One axial slice (278 of 512, counting up from the lowest) of an arterial-phase abdominal CT acquired with 120 kVp, kernel B30f; each pixel is 0.771 mm and the slice is 1.00 mm thick.
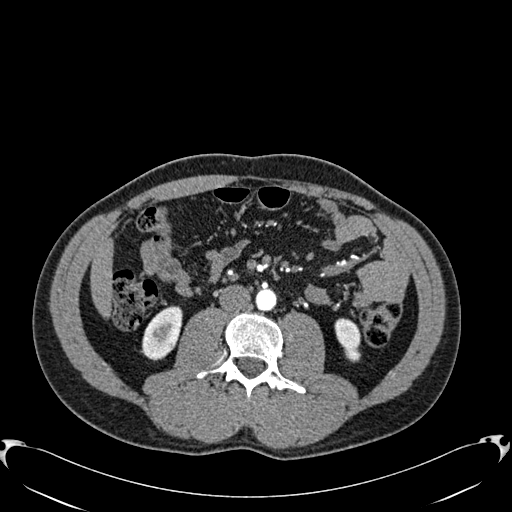
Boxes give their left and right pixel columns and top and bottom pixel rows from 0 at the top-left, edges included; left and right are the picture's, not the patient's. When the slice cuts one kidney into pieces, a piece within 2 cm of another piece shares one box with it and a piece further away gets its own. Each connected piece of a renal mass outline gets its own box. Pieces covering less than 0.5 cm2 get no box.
Two boxes on this slice (two kidney boxes), listed by box centre from the image's left to its right. (1) Box with left 141, top 306, right 182, bottom 360: right kidney (outlined area 1,608 px, about 9.6 cm2). (2) Left kidney in the box with left 335, top 318, right 360, bottom 362 (outlined area 828 px, about 4.9 cm2). This slice carries no renal mass outline.